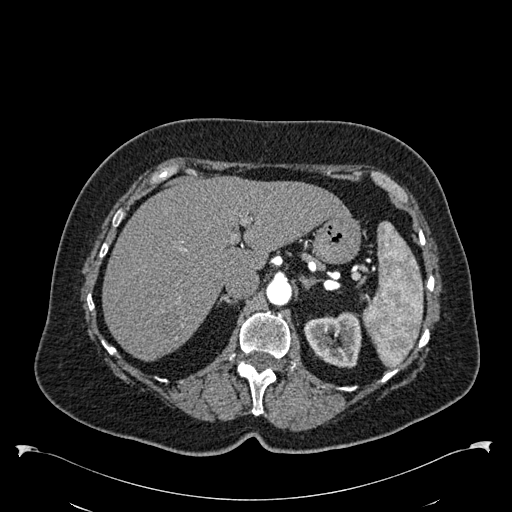
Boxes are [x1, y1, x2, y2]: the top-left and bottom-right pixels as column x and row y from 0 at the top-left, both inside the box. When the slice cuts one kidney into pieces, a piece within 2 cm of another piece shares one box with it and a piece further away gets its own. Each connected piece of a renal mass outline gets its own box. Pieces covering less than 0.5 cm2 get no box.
Arterial-phase contrast-enhanced abdominal CT, axial slice 411 of 538 (counted from the lowest slice); 1.00 mm thick, 0.811 mm per pixel. Left kidney, box [303, 312, 361, 368] (outlined area 2,445 px, about 16.1 cm2). This slice carries no renal mass outline.
Scan settings: 120 kVp, B30f reconstruction kernel.